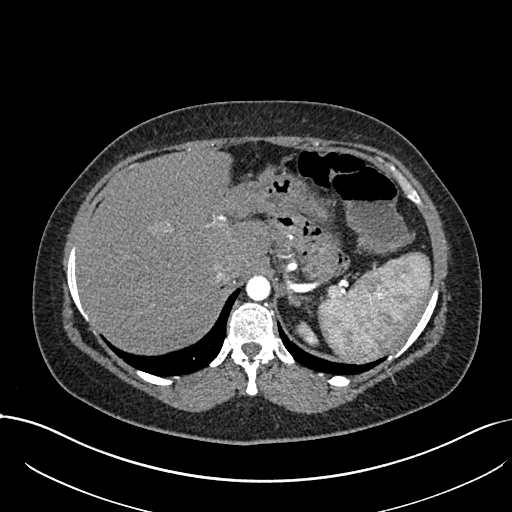
Axial slice 578 of 738 of a contrast-enhanced abdominal CT in the arterial phase (slice 1 is the lowest), 120 kVp, kernel I30f; 1.00 mm slice thickness and 0.789 mm pixels.
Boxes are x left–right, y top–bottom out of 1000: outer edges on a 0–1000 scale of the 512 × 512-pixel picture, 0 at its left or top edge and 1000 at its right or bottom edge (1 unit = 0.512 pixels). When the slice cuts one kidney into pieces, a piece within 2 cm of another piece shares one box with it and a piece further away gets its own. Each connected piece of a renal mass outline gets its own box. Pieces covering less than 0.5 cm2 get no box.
Left kidney, box x 574–623, y 627–678 out of 1000 (outlined area 348 px, about 2.2 cm2). This slice carries no renal mass outline.